One axial slice (317 of 723, counting up from the lowest) of an arterial-phase abdominal CT acquired with 120 kVp, kernel B30f; each pixel is 0.895 mm and the slice is 1.00 mm thick.
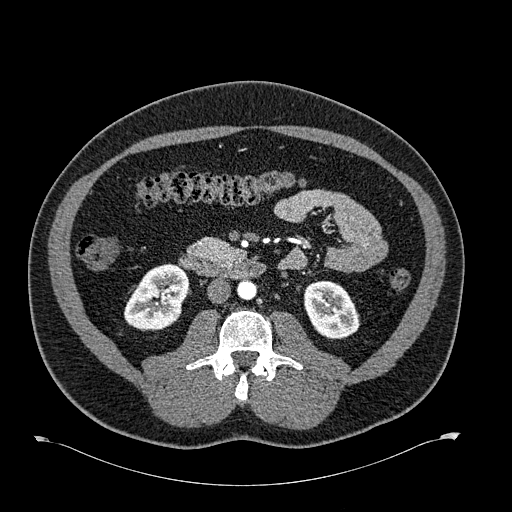
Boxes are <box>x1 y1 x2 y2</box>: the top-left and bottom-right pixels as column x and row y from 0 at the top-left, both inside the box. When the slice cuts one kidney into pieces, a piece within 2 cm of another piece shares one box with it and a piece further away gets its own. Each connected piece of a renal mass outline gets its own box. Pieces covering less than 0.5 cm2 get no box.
Boxed on this slice (two kidney boxes), listed by box centre from the image's left to its right: (1) Right kidney at <box>124 263 188 331</box> (outlined area 3,153 px, about 25.2 cm2). (2) At <box>304 280 360 339</box>: left kidney (outlined area 2,519 px, about 20.2 cm2). No renal mass is outlined on this slice.